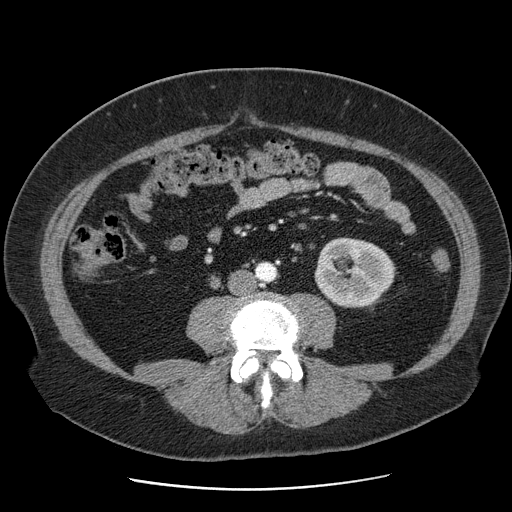
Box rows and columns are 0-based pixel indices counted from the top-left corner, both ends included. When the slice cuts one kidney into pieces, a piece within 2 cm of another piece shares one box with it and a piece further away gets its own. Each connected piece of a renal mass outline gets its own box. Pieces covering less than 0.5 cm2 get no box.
This is axial slice 20 of 103 (slice 1 is the lowest) of an abdominal CT with contrast; each pixel is 0.736 mm and the slice is 2.50 mm thick. Box rows 237–307, columns 314–394: left kidney (outlined area 4,420 px, about 24.0 cm2). No renal mass outline on this slice.
Scan settings: 120 kVp, STANDARD reconstruction kernel.